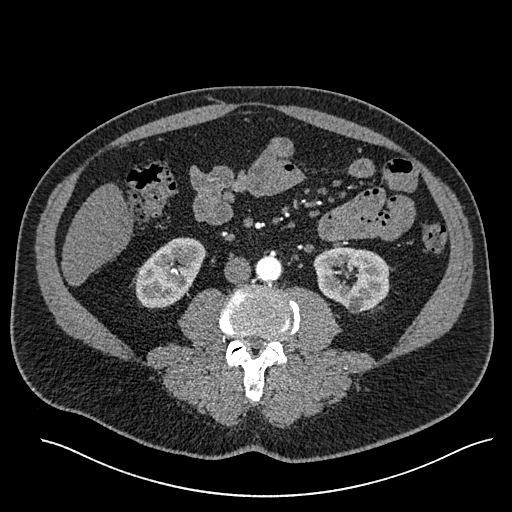
Abdominal CT with intravenous contrast, arterial phase, axial plane, 120 kVp, kernel I30f. Slice 236/527 from the bottom of the scan; thickness 1.00 mm; pixel size 0.859 mm.
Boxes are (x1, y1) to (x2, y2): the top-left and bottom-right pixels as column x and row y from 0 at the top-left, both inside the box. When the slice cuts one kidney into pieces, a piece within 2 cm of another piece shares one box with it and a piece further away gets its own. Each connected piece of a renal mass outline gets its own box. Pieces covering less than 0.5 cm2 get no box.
Two boxes on this slice (two kidney boxes), listed by box centre from the image's left to its right. (1) Right kidney, box (135, 237) to (205, 307) (outlined area 3,475 px, about 25.7 cm2). (2) Left kidney from (313, 247) to (389, 313) (outlined area 3,816 px, about 28.2 cm2). No renal mass is outlined on this slice.